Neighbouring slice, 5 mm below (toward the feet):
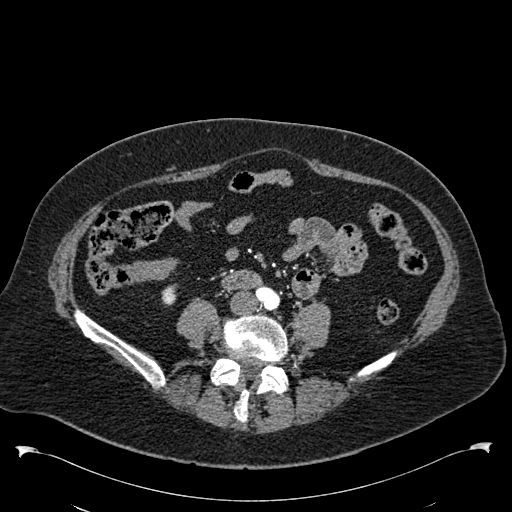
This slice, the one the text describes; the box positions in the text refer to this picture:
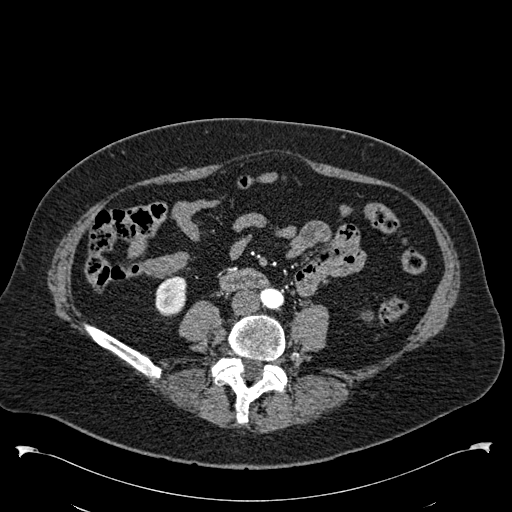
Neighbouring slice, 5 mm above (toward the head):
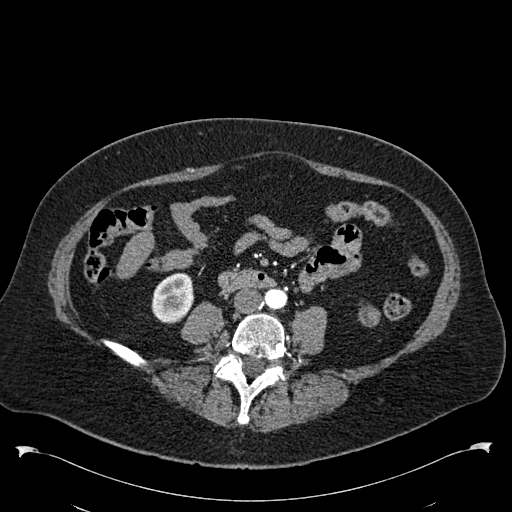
One axial slice (204 of 538, counting up from the lowest) of an arterial-phase abdominal CT acquired with 120 kVp, kernel B30f; each pixel is 0.811 mm and the slice is 1.00 mm thick.
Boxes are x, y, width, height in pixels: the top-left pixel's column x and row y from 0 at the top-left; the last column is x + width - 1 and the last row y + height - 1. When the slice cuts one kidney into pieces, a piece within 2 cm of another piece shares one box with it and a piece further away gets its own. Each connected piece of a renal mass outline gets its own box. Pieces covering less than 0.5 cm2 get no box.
Two boxes on this slice (one kidney box and one renal mass box), listed by box centre from the image's left to its right. (1) Box x 155, y 276, width 32, height 41: right kidney (outlined area 1,050 px, about 6.9 cm2). (2) Box x 361, y 311, width 13, height 10: left renal mass (outlined area 92 px, about 0.6 cm2); on this slice it lies more than 1 cm from any kidney outline, but the same outlined renal mass comes within 1 cm of the kidney on another slice. This slice is near the end of the left renal mass toward the feet, so the slices 5 mm below and 5 mm above it are shown as well; the boxes refer to this slice only.